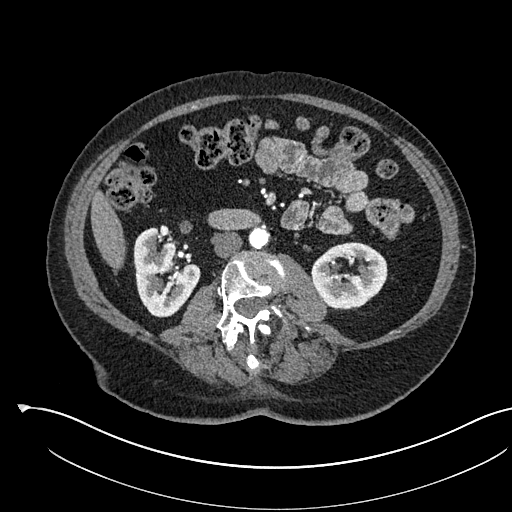
Axial slice 277 of 541 of a contrast-enhanced abdominal CT in the arterial phase (slice 1 is the lowest), 120 kVp, kernel I30f; 1.00 mm slice thickness and 0.834 mm pixels.
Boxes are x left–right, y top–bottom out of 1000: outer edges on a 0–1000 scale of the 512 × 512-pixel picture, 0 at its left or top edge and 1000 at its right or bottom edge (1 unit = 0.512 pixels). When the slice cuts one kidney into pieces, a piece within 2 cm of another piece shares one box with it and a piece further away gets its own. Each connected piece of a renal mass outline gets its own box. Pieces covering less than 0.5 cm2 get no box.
Boxed on this slice (two kidney boxes), listed by box centre from the image's left to its right: (1) Right kidney at x 260–393, y 443–621 out of 1000 (outlined area 4,151 px, about 28.9 cm2). (2) Box x 607–758, y 473–604 out of 1000: left kidney (outlined area 3,797 px, about 26.4 cm2). This slice carries no renal mass outline.